Axial slice 146 of 326 of a contrast-enhanced abdominal CT in the arterial phase (slice 1 is the lowest), 120 kVp, kernel B31f; 2.00 mm slice thickness and 0.963 mm pixels.
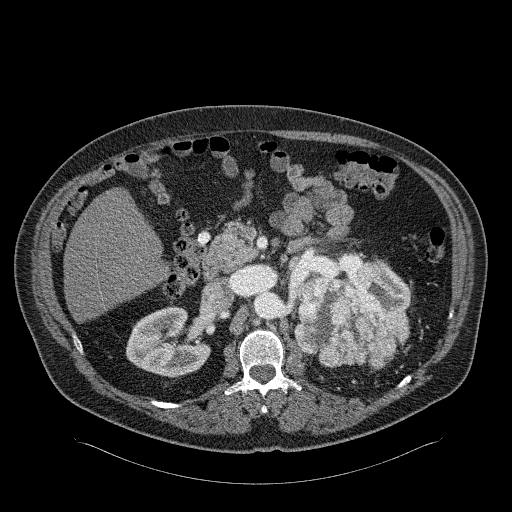
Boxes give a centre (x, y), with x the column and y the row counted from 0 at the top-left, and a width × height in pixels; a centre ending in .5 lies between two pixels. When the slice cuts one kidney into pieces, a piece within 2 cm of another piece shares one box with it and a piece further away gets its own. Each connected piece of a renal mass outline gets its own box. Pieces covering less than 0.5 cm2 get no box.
Three boxes on this slice (two kidney boxes and one renal mass box), listed by box centre from the image's left to its right. (1) Right kidney, box centre (168, 341.5), 85 × 72 pixels (outlined area 4,344 px, about 40.3 cm2). (2) Box centre (352, 315), 117 × 109 pixels: left renal mass (outlined area 8,446 px, about 78.3 cm2). (3) Left kidney in a box with centre (389.5, 285), 42 × 51 pixels (outlined area 1,341 px, about 12.4 cm2).